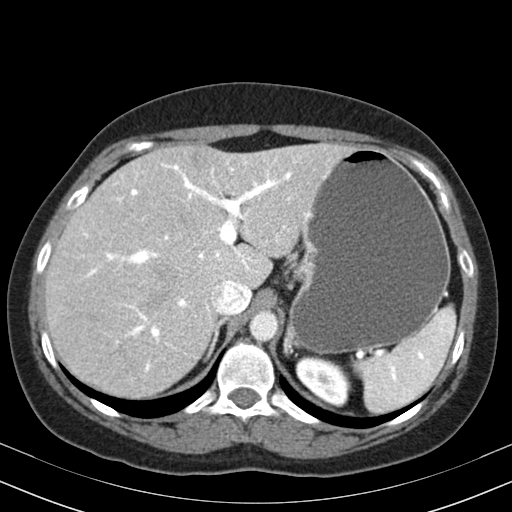
Axial slice 138 of 164 of a contrast-enhanced abdominal CT in the arterial phase (slice 1 is the lowest), 130 kVp, kernel B30s; 3.00 mm slice thickness and 0.664 mm pixels.
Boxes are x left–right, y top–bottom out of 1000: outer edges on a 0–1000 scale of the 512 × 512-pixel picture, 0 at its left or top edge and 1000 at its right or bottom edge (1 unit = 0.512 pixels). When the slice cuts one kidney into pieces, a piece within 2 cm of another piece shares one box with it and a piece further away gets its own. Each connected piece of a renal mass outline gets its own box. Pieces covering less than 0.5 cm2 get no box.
Left kidney at x 576–686, y 693–795 out of 1000 (outlined area 1,965 px, about 8.7 cm2). This slice carries no renal mass outline.